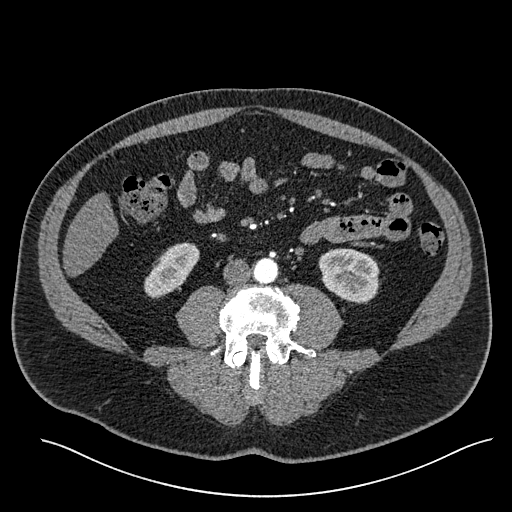
Axial slice 214 of 527 of a contrast-enhanced abdominal CT in the arterial phase (slice 1 is the lowest), 120 kVp, kernel I30f; 1.00 mm slice thickness and 0.859 mm pixels.
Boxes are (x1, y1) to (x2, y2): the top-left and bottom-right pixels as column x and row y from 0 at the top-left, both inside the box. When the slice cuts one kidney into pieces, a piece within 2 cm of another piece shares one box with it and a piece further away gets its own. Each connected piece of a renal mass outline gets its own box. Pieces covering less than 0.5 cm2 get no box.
Two kidney boxes on this slice; by box centre, from the image's left to its right: (1) Right kidney, box (144, 242) to (199, 297) (outlined area 1,926 px, about 14.2 cm2). (2) Box (318, 248) to (380, 303): left kidney (outlined area 2,683 px, about 19.8 cm2). No renal mass outline on this slice.